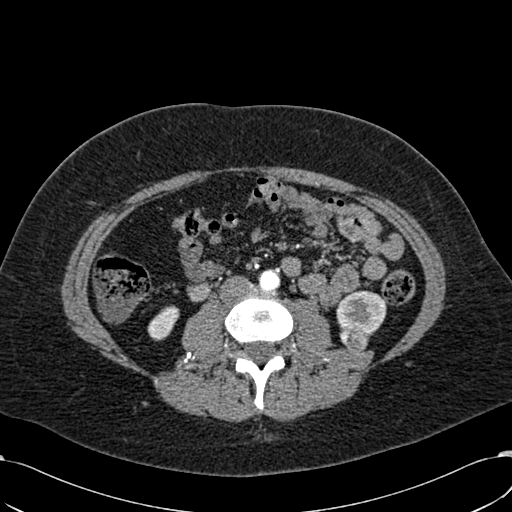
One axial slice (271 of 532, counting up from the lowest) of an arterial-phase abdominal CT acquired with 120 kVp, kernel B30f; each pixel is 0.713 mm and the slice is 1.00 mm thick.
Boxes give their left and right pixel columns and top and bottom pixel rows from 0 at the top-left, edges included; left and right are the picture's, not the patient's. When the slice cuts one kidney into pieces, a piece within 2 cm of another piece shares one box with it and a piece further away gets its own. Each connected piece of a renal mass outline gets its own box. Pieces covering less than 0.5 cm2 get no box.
Three boxes on this slice (two kidney boxes and one renal mass box), listed by box centre from the image's left to its right. (1) Box with left 147, top 305, right 179, bottom 340: right kidney (outlined area 746 px, about 3.8 cm2). (2) Left renal mass, the box with left 339, top 328, right 369, bottom 353 (outlined area 564 px, about 2.9 cm2). (3) Left kidney, the box with left 336, top 290, right 386, bottom 336 (outlined area 1,756 px, about 8.9 cm2).